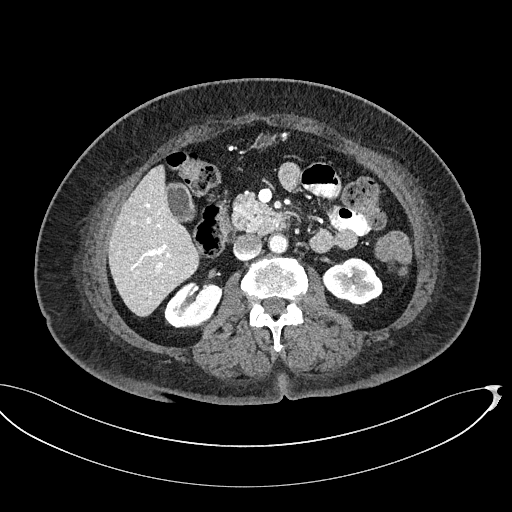
Contrast-enhanced abdominal CT, axial slice 285 of 439 (counted from the lowest slice); tube voltage 100 kVp, convolution kernel I40f; slices 2.00 mm thick, 0.850 mm per pixel.
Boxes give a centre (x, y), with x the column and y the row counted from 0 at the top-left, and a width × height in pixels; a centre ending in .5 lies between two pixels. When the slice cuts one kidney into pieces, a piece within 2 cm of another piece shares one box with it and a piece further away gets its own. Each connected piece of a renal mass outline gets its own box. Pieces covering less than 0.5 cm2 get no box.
Two kidney boxes on this slice; by box centre, from the image's left to its right: (1) Right kidney, box centre (193, 304.5), 59 × 48 pixels (outlined area 1,994 px, about 14.4 cm2). (2) Left kidney, box centre (352.5, 282), 60 × 51 pixels (outlined area 2,077 px, about 15.0 cm2). No renal mass outline on this slice.